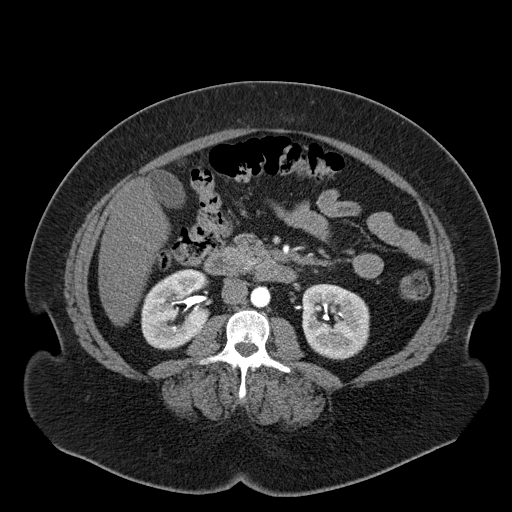
Abdominal CT with intravenous contrast, axial plane, 120 kVp, kernel B30f. Slice 31/55 from the bottom of the scan; thickness 5.00 mm; pixel size 0.908 mm.
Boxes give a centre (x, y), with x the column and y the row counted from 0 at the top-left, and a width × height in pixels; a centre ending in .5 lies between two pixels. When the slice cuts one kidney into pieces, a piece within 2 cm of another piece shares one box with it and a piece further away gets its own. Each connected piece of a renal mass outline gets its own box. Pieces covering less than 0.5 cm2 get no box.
Boxed on this slice (two kidney boxes), listed by box centre from the image's left to its right: (1) Right kidney in a box with centre (175.5, 308.5), 70 × 82 pixels (outlined area 4,283 px, about 35.3 cm2). (2) Box centre (335.5, 321), 68 × 77 pixels: left kidney (outlined area 4,228 px, about 34.9 cm2). This slice carries no renal mass outline.